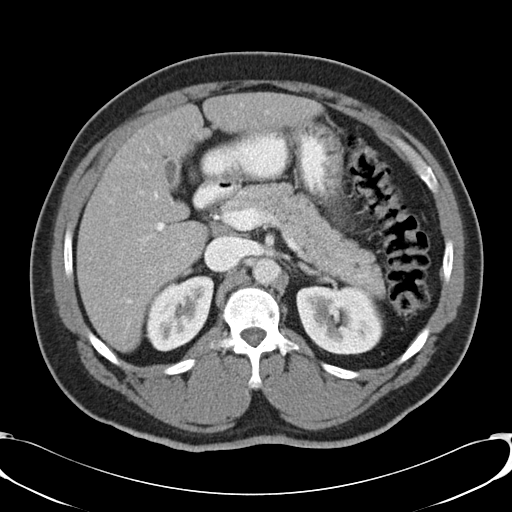
One axial slice (26 of 48, counting up from the lowest) of a contrast-enhanced abdominal CT acquired with 120 kVp, kernel B30f; each pixel is 0.736 mm and the slice is 5.00 mm thick.
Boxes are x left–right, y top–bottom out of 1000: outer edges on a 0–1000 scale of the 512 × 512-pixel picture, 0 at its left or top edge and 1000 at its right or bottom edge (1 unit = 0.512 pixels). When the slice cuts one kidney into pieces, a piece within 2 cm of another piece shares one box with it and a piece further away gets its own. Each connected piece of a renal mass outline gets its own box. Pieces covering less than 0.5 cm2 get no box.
Two boxes on this slice (two kidney boxes), listed by box centre from the image's left to its right. (1) Right kidney at x 285–420, y 537–688 out of 1000 (outlined area 3,779 px, about 20.5 cm2). (2) Left kidney at x 578–750, y 557–693 out of 1000 (outlined area 4,944 px, about 26.8 cm2). No renal mass is outlined on this slice.